Axial slice 60 of 85 of a contrast-enhanced abdominal CT in the arterial phase (slice 1 is the lowest), 100 kVp, kernel I41f; 5.00 mm slice thickness and 0.664 mm pixels.
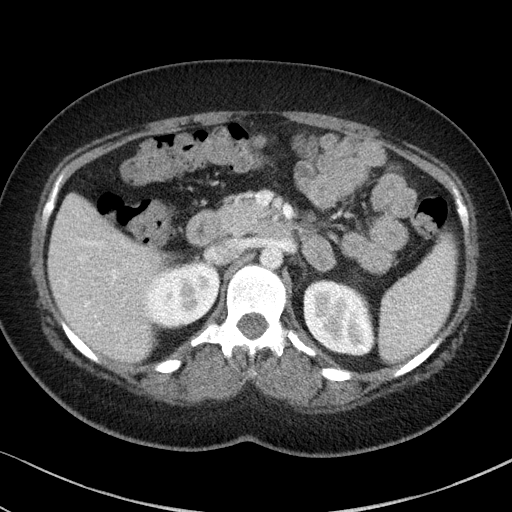
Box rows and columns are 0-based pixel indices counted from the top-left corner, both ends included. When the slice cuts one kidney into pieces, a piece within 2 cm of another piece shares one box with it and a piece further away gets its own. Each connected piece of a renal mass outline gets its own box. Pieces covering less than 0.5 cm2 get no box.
Two kidney boxes on this slice; by box centre, from the image's left to its right: (1) Box rows 263–327, columns 145–219: right kidney (outlined area 3,734 px, about 16.5 cm2). (2) Left kidney at rows 279–356, columns 303–375 (outlined area 4,392 px, about 19.4 cm2). This slice carries no renal mass outline.